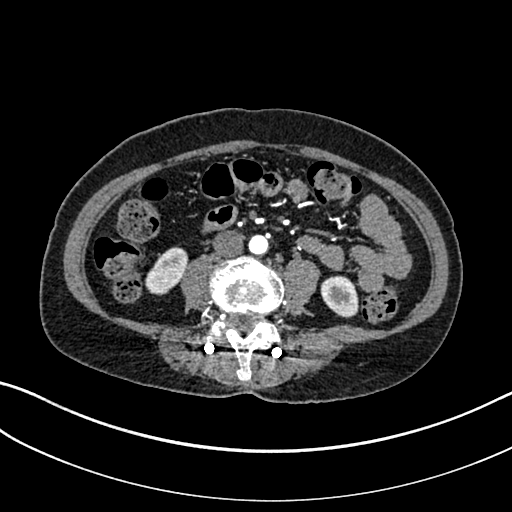
Arterial-phase contrast-enhanced abdominal CT, axial slice 63 of 325 (counted from the lowest slice); tube voltage 100 kVp, convolution kernel I30f; slices 1.00 mm thick, 0.703 mm per pixel.
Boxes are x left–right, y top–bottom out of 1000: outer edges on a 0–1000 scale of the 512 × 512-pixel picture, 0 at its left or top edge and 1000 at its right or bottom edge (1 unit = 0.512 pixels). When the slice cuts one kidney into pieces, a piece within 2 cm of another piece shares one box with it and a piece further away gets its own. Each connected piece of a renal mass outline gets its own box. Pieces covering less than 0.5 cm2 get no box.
Two boxes on this slice (two kidney boxes), listed by box centre from the image's left to its right. (1) Right kidney, box x 283–369, y 482–578 out of 1000 (outlined area 1,384 px, about 6.8 cm2). (2) Left kidney, box x 625–701, y 537–621 out of 1000 (outlined area 1,254 px, about 6.2 cm2). No renal mass outline on this slice.